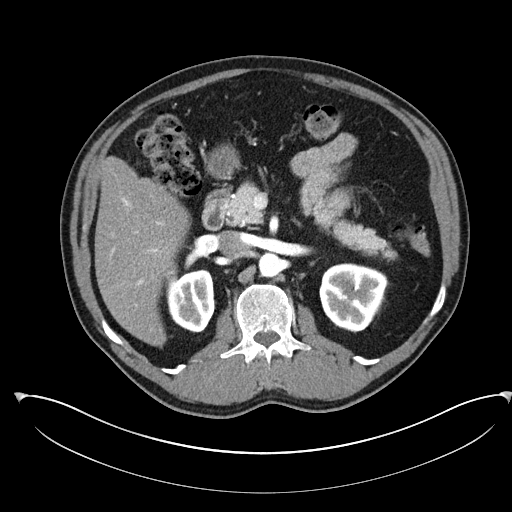
Axial slice 148 of 302 of a contrast-enhanced abdominal CT in the arterial phase (slice 1 is the lowest), 100 kVp, kernel I30f; 5.00 mm slice thickness and 0.875 mm pixels.
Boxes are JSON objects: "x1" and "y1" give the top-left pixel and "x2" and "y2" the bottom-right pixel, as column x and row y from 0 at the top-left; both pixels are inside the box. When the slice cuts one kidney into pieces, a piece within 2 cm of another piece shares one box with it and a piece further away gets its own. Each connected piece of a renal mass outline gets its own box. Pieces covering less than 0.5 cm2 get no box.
Two boxes on this slice (two kidney boxes), listed by box centre from the image's left to its right. (1) Right kidney, box {"x1": 165, "y1": 262, "x2": 215, "y2": 332} (outlined area 2,705 px, about 20.7 cm2). (2) Left kidney at {"x1": 319, "y1": 263, "x2": 388, "y2": 332} (outlined area 3,694 px, about 28.3 cm2). No renal mass is outlined on this slice.